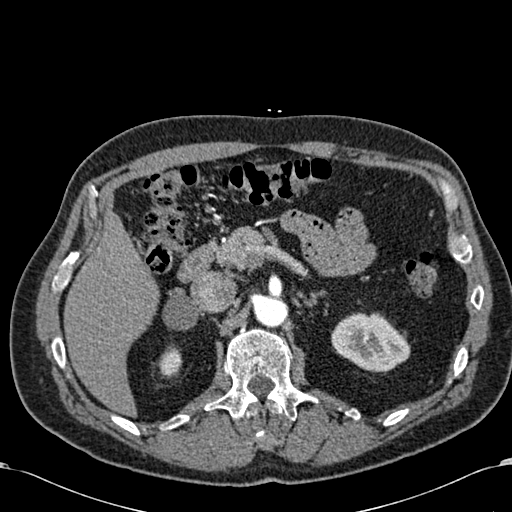
One axial slice (417 of 581, counting up from the lowest) of an arterial-phase abdominal CT acquired with 120 kVp, kernel B30f; each pixel is 0.713 mm and the slice is 1.00 mm thick.
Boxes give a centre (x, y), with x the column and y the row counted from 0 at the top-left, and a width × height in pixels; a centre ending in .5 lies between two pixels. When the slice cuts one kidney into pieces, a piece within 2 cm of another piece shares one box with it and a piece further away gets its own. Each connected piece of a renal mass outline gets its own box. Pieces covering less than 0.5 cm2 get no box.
Two kidney boxes on this slice; by box centre, from the image's left to its right: (1) Right kidney, box centre (169, 363), 25 × 29 pixels (outlined area 545 px, about 2.8 cm2). (2) Box centre (370.5, 342.5), 80 × 62 pixels: left kidney (outlined area 3,454 px, about 17.6 cm2). This slice carries no renal mass outline.